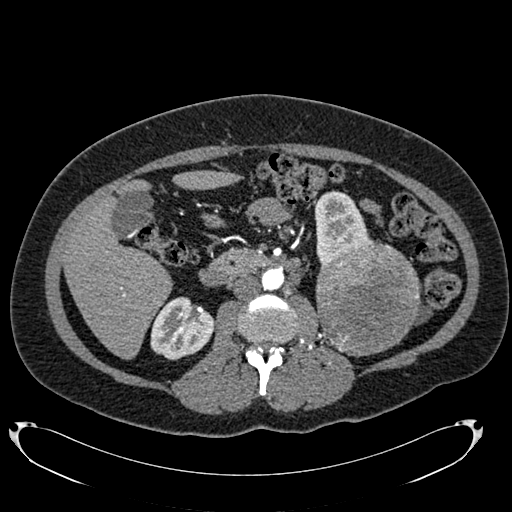
One axial slice (401 of 634, counting up from the lowest) of an arterial-phase abdominal CT acquired with 120 kVp, kernel B20f; each pixel is 0.838 mm and the slice is 1.00 mm thick.
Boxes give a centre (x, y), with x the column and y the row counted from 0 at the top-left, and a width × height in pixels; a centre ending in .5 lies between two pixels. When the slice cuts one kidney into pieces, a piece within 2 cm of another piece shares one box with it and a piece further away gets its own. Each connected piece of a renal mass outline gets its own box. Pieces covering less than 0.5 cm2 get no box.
Three boxes on this slice (two kidney boxes and one renal mass box), listed by box centre from the image's left to its right. (1) Right kidney, box centre (181.5, 328), 64 × 65 pixels (outlined area 2,977 px, about 20.9 cm2). (2) Box centre (344.5, 228), 62 × 77 pixels: left kidney (outlined area 2,818 px, about 19.8 cm2). (3) Left renal mass in a box with centre (368, 299), 105 × 115 pixels (outlined area 9,526 px, about 66.9 cm2).